One axial slice (123 of 186, counting up from the lowest) of a contrast-enhanced abdominal CT acquired with 120 kVp, kernel STANDARD; each pixel is 0.850 mm and the slice is 2.50 mm thick.
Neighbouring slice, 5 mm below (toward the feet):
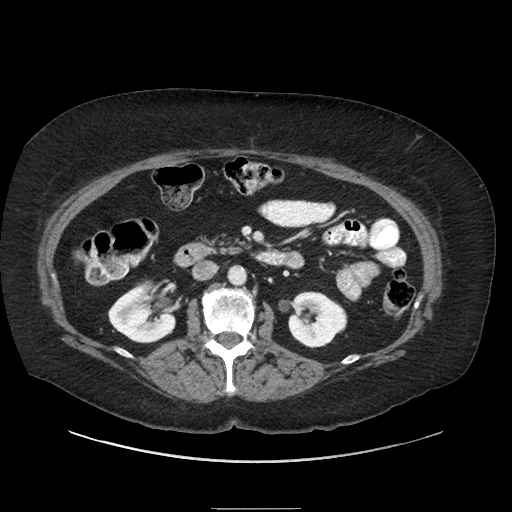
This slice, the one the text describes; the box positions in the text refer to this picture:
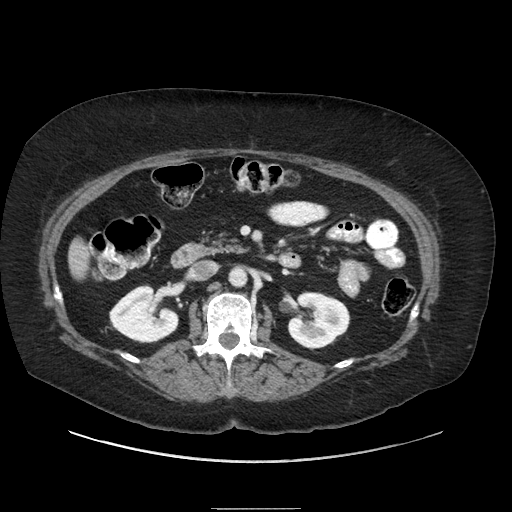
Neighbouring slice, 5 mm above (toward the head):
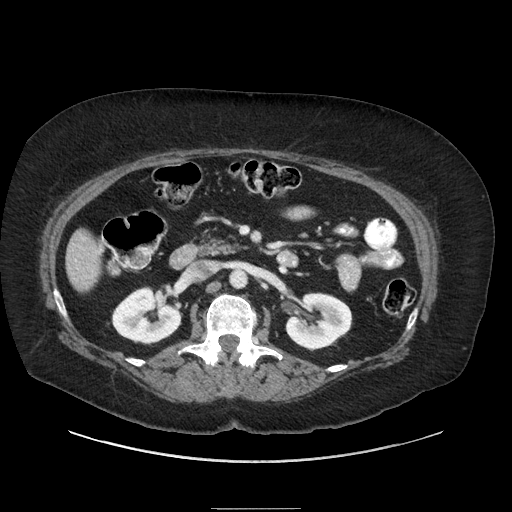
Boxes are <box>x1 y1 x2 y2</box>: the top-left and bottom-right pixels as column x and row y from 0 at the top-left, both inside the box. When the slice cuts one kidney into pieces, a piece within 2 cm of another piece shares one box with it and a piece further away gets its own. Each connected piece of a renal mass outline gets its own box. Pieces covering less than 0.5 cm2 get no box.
Boxed on this slice (two kidney boxes and one renal mass box), listed by box centre from the image's left to its right: (1) Right kidney: <box>109 284 178 343</box> (outlined area 2,764 px, about 20.0 cm2). (2) At <box>143 297 156 307</box>: right renal mass (outlined area 117 px, about 0.8 cm2). (3) At <box>287 291 350 349</box>: left kidney (outlined area 2,788 px, about 20.1 cm2). This slice lies near the end of the right renal mass toward the head; the slices 5 mm below and 5 mm above it are shown too, and the boxes mark positions on this slice only.